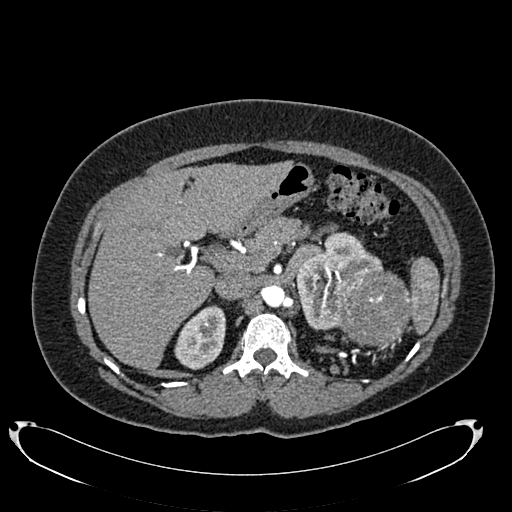
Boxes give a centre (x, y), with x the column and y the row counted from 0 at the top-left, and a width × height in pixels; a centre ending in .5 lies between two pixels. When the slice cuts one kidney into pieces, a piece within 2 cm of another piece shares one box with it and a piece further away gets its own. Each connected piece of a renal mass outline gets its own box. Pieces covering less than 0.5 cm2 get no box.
Slice 505/634 of a contrast-enhanced abdominal CT in the arterial phase, counting up from the lowest; pixel size 0.838 mm, slice thickness 1.00 mm. Three boxes on this slice (two kidney boxes and one renal mass box), listed by box centre from the image's left to its right. (1) Right kidney, box centre (199.5, 337), 52 × 65 pixels (outlined area 2,392 px, about 16.8 cm2). (2) Left kidney in a box with centre (339, 280.5), 89 × 98 pixels (outlined area 4,291 px, about 30.1 cm2). (3) Left renal mass in a box with centre (373, 308), 77 × 77 pixels (outlined area 4,821 px, about 33.8 cm2).
Acquired at 120 kVp and reconstructed with the B20f kernel.